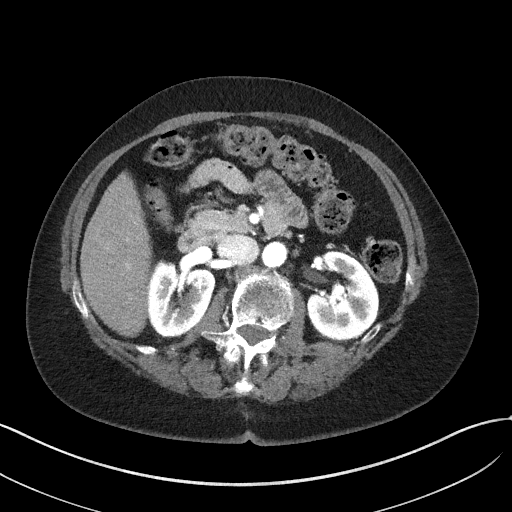
Axial slice 27 of 50 of a contrast-enhanced abdominal CT in the arterial phase (slice 1 is the lowest), 100 kVp, kernel I41f; 3.00 mm slice thickness and 0.758 mm pixels.
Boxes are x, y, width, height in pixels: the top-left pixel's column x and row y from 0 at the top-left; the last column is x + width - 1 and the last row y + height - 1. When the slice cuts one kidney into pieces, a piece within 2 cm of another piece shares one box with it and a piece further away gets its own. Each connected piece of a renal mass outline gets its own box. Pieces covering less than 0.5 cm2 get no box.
Two boxes on this slice (two kidney boxes), listed by box centre from the image's left to its right. (1) Right kidney, box x 147, y 261, width 68, height 77 (outlined area 3,921 px, about 22.5 cm2). (2) Left kidney at x 308, y 250, width 71, height 91 (outlined area 4,575 px, about 26.3 cm2). No renal mass is outlined on this slice.